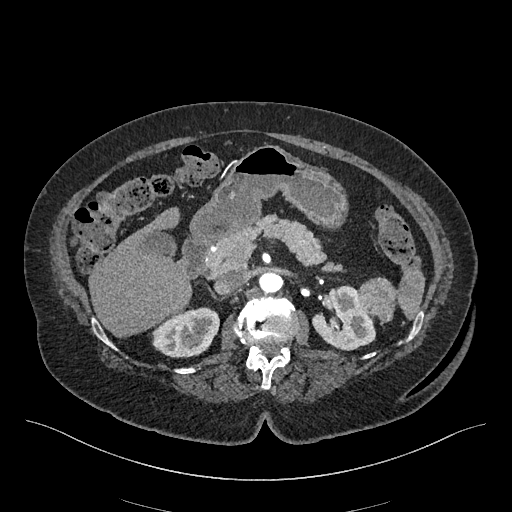
One axial slice (286 of 548, counting up from the lowest) of an arterial-phase abdominal CT acquired with 120 kVp, kernel I26f; each pixel is 0.852 mm and the slice is 1.00 mm thick.
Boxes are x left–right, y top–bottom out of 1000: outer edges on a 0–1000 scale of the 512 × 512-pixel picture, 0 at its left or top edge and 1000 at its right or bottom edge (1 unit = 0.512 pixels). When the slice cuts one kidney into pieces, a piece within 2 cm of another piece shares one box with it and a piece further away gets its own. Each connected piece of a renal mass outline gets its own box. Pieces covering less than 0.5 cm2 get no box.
Three boxes on this slice (two kidney boxes and one renal mass box), listed by box centre from the image's left to its right. (1) Box x 297–430, y 600–699 out of 1000: right kidney (outlined area 2,594 px, about 18.8 cm2). (2) Left kidney, box x 609–734, y 559–686 out of 1000 (outlined area 2,823 px, about 20.5 cm2). (3) Left renal mass, box x 699–773, y 541–631 out of 1000 (outlined area 1,296 px, about 9.4 cm2).